One axial slice (36 of 121, counting up from the lowest) of an arterial-phase abdominal CT acquired with 120 kVp, kernel STANDARD; each pixel is 0.861 mm and the slice is 2.50 mm thick.
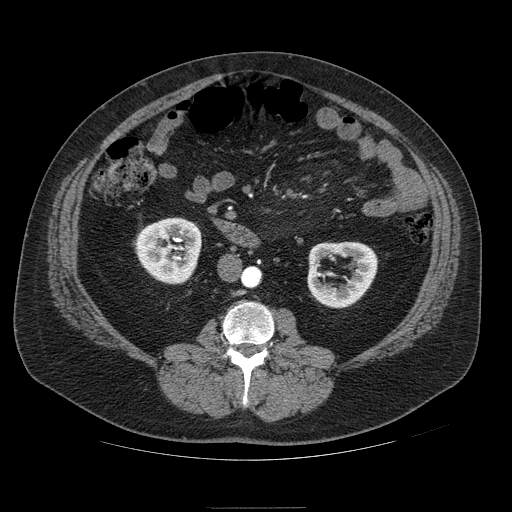
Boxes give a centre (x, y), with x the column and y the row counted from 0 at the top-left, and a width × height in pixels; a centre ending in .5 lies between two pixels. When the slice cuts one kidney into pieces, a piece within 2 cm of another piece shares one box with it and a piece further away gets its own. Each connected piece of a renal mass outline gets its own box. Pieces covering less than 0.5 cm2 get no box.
Boxed on this slice (two kidney boxes), listed by box centre from the image's left to its right: (1) Right kidney, box centre (167.5, 250.5), 68 × 68 pixels (outlined area 3,501 px, about 26.0 cm2). (2) Box centre (342, 274.5), 71 × 68 pixels: left kidney (outlined area 3,218 px, about 23.9 cm2). This slice carries no renal mass outline.